Abdominal CT with intravenous contrast, arterial phase, axial plane, 120 kVp, kernel B31f. Slice 131/279 from the bottom of the scan; thickness 2.00 mm; pixel size 0.824 mm.
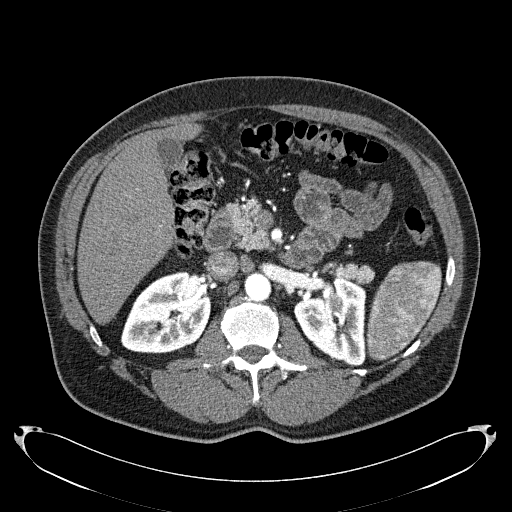
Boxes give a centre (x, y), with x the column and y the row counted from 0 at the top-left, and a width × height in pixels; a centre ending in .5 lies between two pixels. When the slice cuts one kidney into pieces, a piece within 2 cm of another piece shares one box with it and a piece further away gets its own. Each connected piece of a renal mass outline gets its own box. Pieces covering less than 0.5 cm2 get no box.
Three boxes on this slice (two kidney boxes and one renal mass box), listed by box centre from the image's left to its right. (1) Right kidney, box centre (165.5, 312), 92 × 83 pixels (outlined area 5,626 px, about 38.2 cm2). (2) Box centre (329, 320.5), 73 × 90 pixels: left kidney (outlined area 4,435 px, about 30.1 cm2). (3) Left renal mass, box centre (334.5, 302), 18 × 19 pixels (outlined area 283 px, about 1.9 cm2).